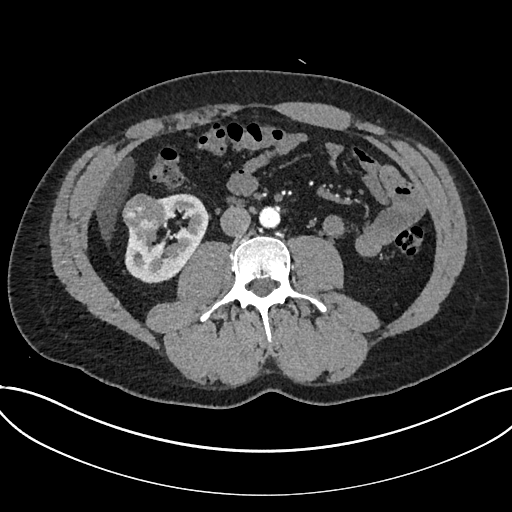
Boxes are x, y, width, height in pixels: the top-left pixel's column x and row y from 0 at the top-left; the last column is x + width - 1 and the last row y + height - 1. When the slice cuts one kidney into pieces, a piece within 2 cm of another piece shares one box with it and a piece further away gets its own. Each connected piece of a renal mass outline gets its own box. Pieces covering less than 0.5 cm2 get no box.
This is axial slice 342 of 735 (slice 1 is the lowest) of an arterial-phase abdominal CT with contrast; each pixel is 0.789 mm and the slice is 1.00 mm thick. Two boxes on this slice (one kidney box and one renal mass box), listed by box centre from the image's left to its right. (1) Renal mass at x 122, y 193, width 45, height 45 (outlined area 1,467 px, about 9.1 cm2). (2) Kidney, box x 125, y 193, width 83, height 91 (outlined area 4,221 px, about 26.3 cm2).
Acquired at 120 kVp and reconstructed with the I30f kernel.